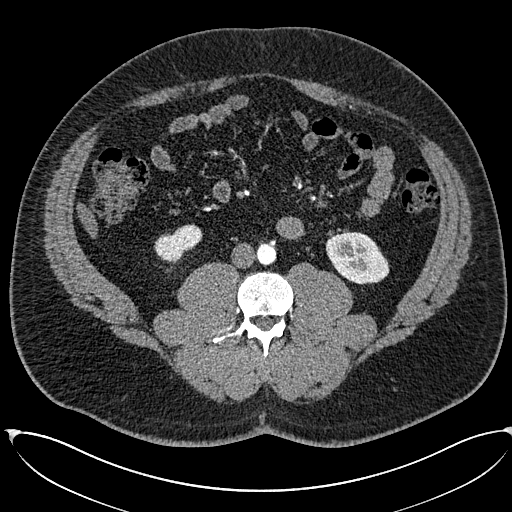
Axial slice 251 of 673 of a contrast-enhanced abdominal CT in the arterial phase (slice 1 is the lowest), 120 kVp, kernel I30f; 1.00 mm slice thickness and 0.855 mm pixels.
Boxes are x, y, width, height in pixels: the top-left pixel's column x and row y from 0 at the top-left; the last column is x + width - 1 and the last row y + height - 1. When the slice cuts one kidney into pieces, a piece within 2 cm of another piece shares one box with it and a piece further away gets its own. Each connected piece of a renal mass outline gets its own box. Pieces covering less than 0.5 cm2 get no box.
Two boxes on this slice (two kidney boxes), listed by box centre from the image's left to its right. (1) Right kidney, box x 154, y 224, width 49, height 38 (outlined area 1,176 px, about 8.6 cm2). (2) Box x 325, y 232, width 65, height 53: left kidney (outlined area 2,487 px, about 18.2 cm2). No renal mass is outlined on this slice.